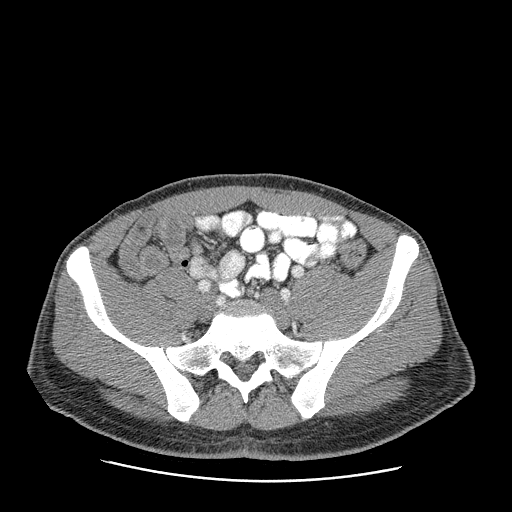
This is axial slice 93 of 199 (slice 1 is the lowest) of an arterial-phase abdominal CT with contrast; each pixel is 0.789 mm and the slice is 2.50 mm thick. Neither a kidney nor a renal mass is outlined here. Only kidneys and renal masses are outlined anywhere in this scan; other structures are never outlined.
Tube voltage 120 kVp; convolution kernel STANDARD.